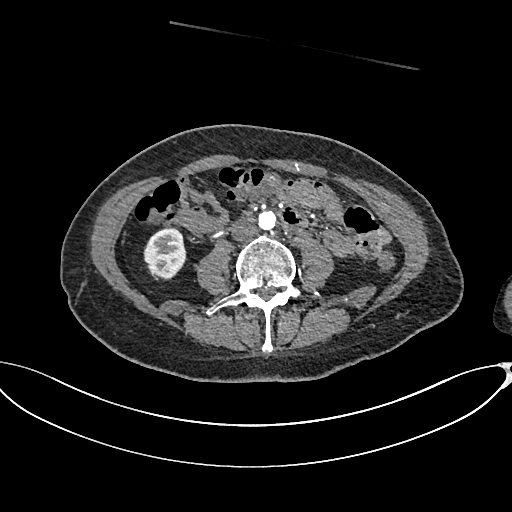
Axial slice 295 of 665 of a contrast-enhanced abdominal CT in the arterial phase (slice 1 is the lowest), 100 kVp, kernel I26f; 1.00 mm slice thickness and 0.828 mm pixels.
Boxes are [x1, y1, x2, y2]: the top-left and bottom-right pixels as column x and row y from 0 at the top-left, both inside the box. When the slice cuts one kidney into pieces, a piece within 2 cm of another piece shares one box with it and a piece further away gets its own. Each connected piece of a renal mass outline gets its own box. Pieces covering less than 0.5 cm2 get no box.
Box [143, 227, 186, 279]: right kidney (outlined area 1,732 px, about 11.9 cm2). This slice carries no renal mass outline.